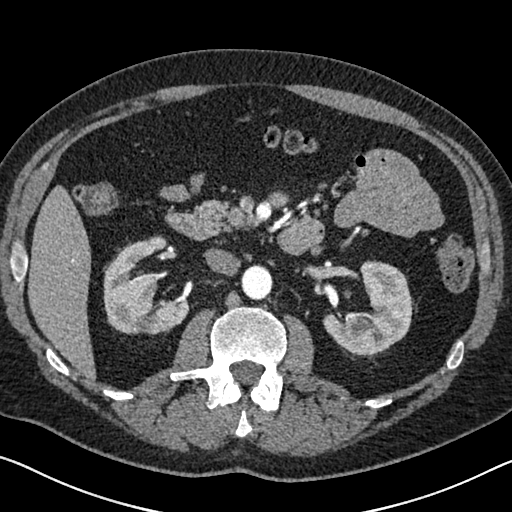
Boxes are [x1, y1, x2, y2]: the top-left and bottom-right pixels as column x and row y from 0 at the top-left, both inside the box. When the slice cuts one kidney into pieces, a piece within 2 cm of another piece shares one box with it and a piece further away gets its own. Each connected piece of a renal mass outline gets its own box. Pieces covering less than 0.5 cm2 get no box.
Arterial-phase contrast-enhanced abdominal CT, axial slice 399 of 626 (counted from the lowest slice); 1.00 mm thick, 0.703 mm per pixel. Two kidney boxes on this slice; by box centre, from the image's left to its right: (1) Right kidney at [103, 235, 188, 334] (outlined area 5,536 px, about 27.4 cm2). (2) Box [322, 260, 413, 356]: left kidney (outlined area 5,283 px, about 26.1 cm2). This slice carries no renal mass outline.
Tube voltage 120 kVp; convolution kernel I30f.